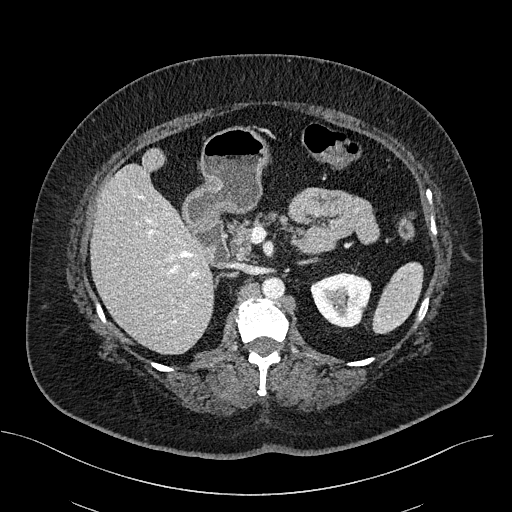
Axial slice 327 of 470 of a contrast-enhanced abdominal CT (slice 1 is the lowest), 100 kVp, kernel I40f; 2.00 mm slice thickness and 0.824 mm pixels.
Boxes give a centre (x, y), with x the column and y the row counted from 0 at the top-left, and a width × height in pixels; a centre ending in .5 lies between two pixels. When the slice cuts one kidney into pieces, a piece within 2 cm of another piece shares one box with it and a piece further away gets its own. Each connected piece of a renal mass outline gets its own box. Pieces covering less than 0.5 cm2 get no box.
Left kidney in a box with centre (340.5, 299.5), 62 × 56 pixels (outlined area 2,542 px, about 17.3 cm2). No renal mass outline on this slice.